Axial slice 298 of 620 of a contrast-enhanced abdominal CT in the arterial phase (slice 1 is the lowest), 120 kVp, kernel B31f; 2.00 mm slice thickness and 0.637 mm pixels.
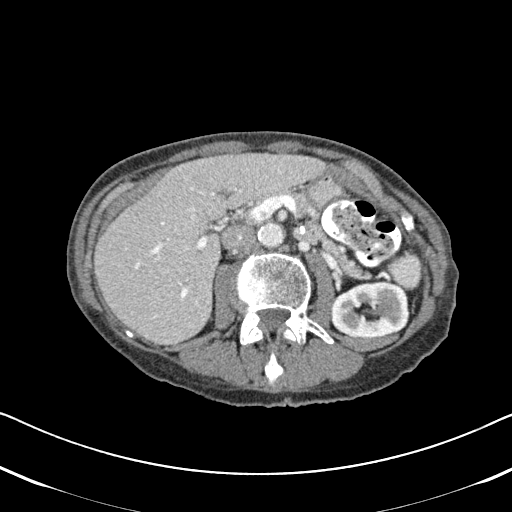
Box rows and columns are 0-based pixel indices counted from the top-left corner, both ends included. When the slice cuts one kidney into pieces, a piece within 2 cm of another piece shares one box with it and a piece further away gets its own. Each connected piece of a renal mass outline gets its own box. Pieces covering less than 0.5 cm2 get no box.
Left kidney at rows 281–338, columns 330–408 (outlined area 3,721 px, about 15.1 cm2). No renal mass outline on this slice.